Abdominal CT with intravenous contrast, axial plane, 120 kVp, kernel B31f. Slice 64/107 from the bottom of the scan; thickness 5.00 mm; pixel size 0.730 mm.
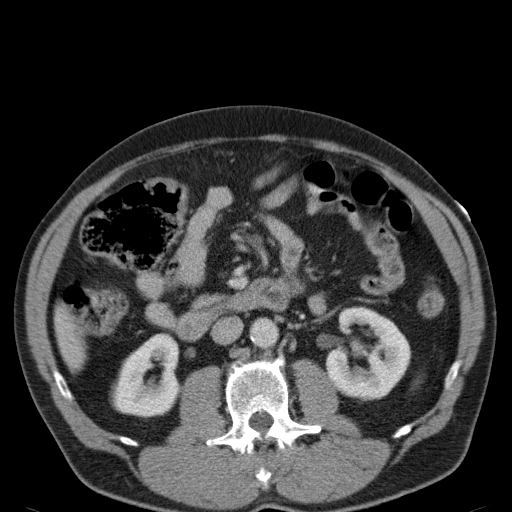
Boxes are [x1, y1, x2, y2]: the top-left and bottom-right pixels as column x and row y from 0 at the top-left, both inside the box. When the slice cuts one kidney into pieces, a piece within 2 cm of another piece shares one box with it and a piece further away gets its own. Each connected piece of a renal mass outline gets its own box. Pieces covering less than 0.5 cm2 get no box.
Two boxes on this slice (two kidney boxes), listed by box centre from the image's left to its right. (1) Right kidney, box [110, 334, 179, 418] (outlined area 4,232 px, about 22.6 cm2). (2) Left kidney, box [325, 306, 411, 401] (outlined area 5,641 px, about 30.1 cm2). This slice carries no renal mass outline.